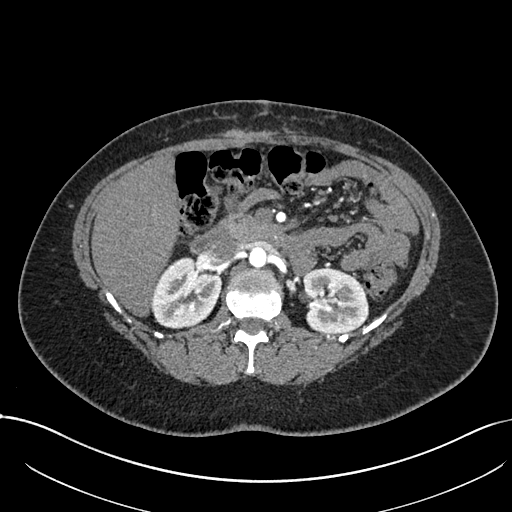
One axial slice (445 of 738, counting up from the lowest) of an arterial-phase abdominal CT acquired with 120 kVp, kernel I30f; each pixel is 0.789 mm and the slice is 1.00 mm thick.
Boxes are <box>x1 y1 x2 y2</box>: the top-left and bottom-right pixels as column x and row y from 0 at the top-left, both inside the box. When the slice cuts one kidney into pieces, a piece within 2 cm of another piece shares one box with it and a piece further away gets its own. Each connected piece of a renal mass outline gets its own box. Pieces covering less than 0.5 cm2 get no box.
Boxed on this slice (two kidney boxes), listed by box centre from the image's left to its right: (1) Right kidney at <box>152 257 222 328</box> (outlined area 3,850 px, about 24.0 cm2). (2) Left kidney: <box>302 268 369 333</box> (outlined area 3,613 px, about 22.5 cm2). This slice carries no renal mass outline.